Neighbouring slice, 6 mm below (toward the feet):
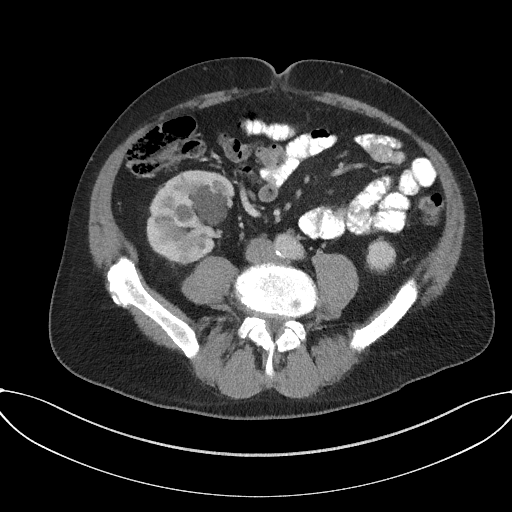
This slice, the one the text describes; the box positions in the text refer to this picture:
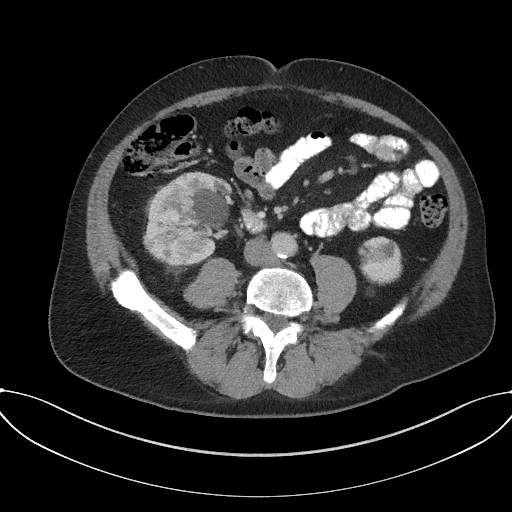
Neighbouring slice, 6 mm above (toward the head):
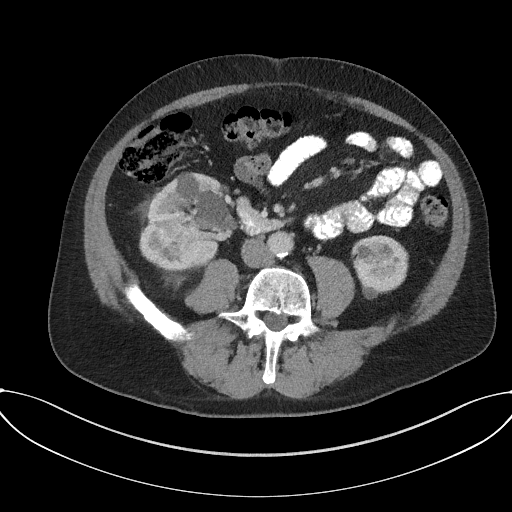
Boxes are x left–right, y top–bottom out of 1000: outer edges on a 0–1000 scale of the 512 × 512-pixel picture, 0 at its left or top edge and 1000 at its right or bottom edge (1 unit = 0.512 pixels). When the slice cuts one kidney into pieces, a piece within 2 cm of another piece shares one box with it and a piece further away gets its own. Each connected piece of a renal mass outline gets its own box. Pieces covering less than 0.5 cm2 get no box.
Arterial-phase contrast-enhanced abdominal CT, axial slice 74 of 227 (counted from the lowest slice); 3.00 mm thick, 0.816 mm per pixel. Two kidney boxes and two renal mass boxes on this slice; by box centre, from the image's left to its right: (1) Box x 313–355, y 408–439 out of 1000: right renal mass (outlined area 263 px, about 1.8 cm2). (2) Box x 330–379, y 445–496 out of 1000: right renal mass (outlined area 440 px, about 2.9 cm2). (3) Right kidney, box x 279–457, y 334–520 out of 1000 (outlined area 5,583 px, about 37.2 cm2). (4) Left kidney at x 699–787, y 461–559 out of 1000 (outlined area 1,743 px, about 11.6 cm2). This slice lies near the end of the right renal mass toward the feet; the slices 6 mm below and 6 mm above it are shown too, and the boxes mark positions on this slice only.
Scan settings: 120 kVp, I31f reconstruction kernel.